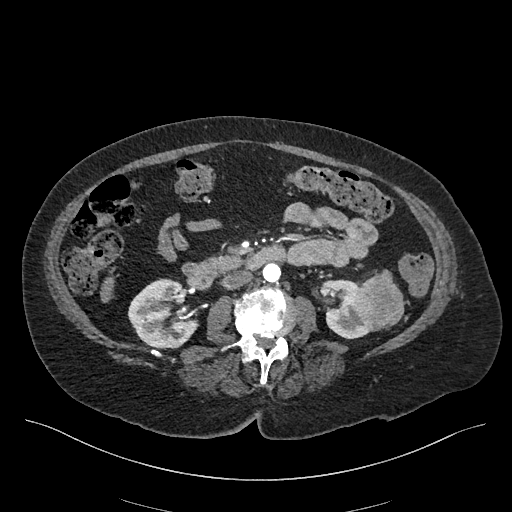
One axial slice (225 of 548, counting up from the lowest) of an arterial-phase abdominal CT acquired with 120 kVp, kernel I26f; each pixel is 0.852 mm and the slice is 1.00 mm thick.
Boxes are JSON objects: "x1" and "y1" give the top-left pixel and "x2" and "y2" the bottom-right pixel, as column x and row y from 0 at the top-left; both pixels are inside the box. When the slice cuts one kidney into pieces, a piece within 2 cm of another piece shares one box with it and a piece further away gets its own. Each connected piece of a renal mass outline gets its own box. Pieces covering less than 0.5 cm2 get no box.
Two kidney boxes and one renal mass box on this slice; by box centre, from the image's left to its right: (1) Box {"x1": 128, "y1": 278, "x2": 197, "y2": 348}: right kidney (outlined area 3,559 px, about 25.8 cm2). (2) Left kidney at {"x1": 325, "y1": 279, "x2": 373, "y2": 338} (outlined area 1,794 px, about 13.0 cm2). (3) Left renal mass, box {"x1": 353, "y1": 269, "x2": 404, "y2": 331} (outlined area 2,266 px, about 16.4 cm2).